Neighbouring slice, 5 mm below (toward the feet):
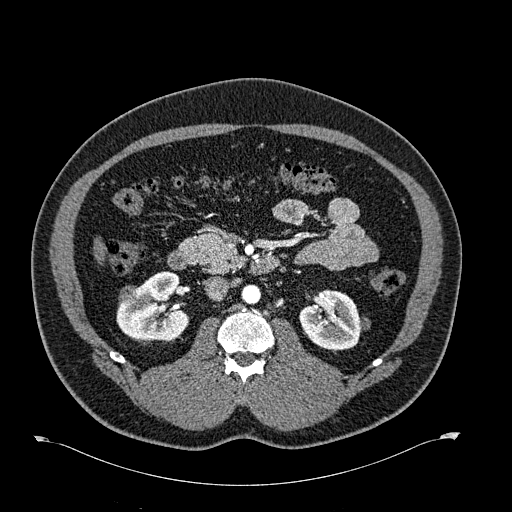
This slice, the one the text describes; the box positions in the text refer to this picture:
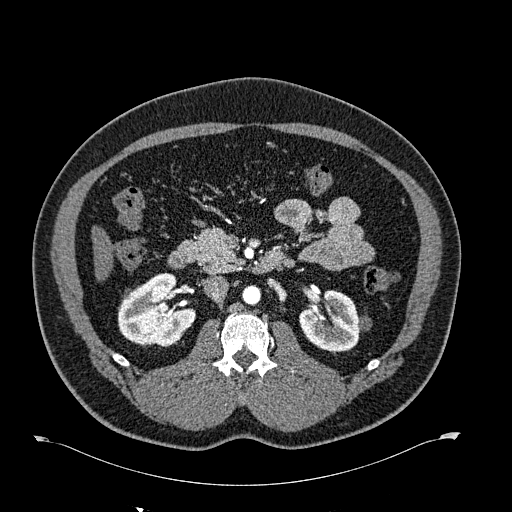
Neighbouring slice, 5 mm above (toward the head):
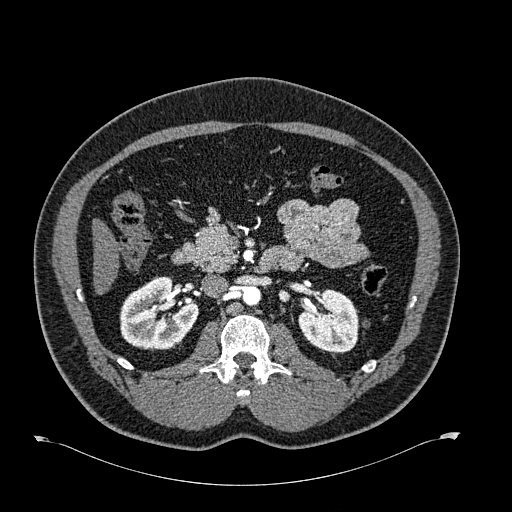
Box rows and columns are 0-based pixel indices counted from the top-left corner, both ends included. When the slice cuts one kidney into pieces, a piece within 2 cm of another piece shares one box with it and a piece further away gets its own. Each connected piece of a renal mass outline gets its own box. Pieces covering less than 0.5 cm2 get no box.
Slice 368/723 of a contrast-enhanced abdominal CT in the arterial phase, counting up from the lowest; pixel size 0.895 mm, slice thickness 1.00 mm. Two kidney boxes and one renal mass box on this slice; by box centre, from the image's left to its right: (1) Right renal mass at rows 288–298, columns 123–131 (outlined area 68 px, about 0.5 cm2). (2) Right kidney, box rows 273–346, columns 117–195 (outlined area 4,091 px, about 32.7 cm2). (3) Box rows 289–351, columns 299–371: left kidney (outlined area 2,990 px, about 23.9 cm2). This slice lies near the end of the right renal mass toward the head; the slices 5 mm below and 5 mm above it are shown too, and the boxes mark positions on this slice only.
Scan settings: 120 kVp, B30f reconstruction kernel.